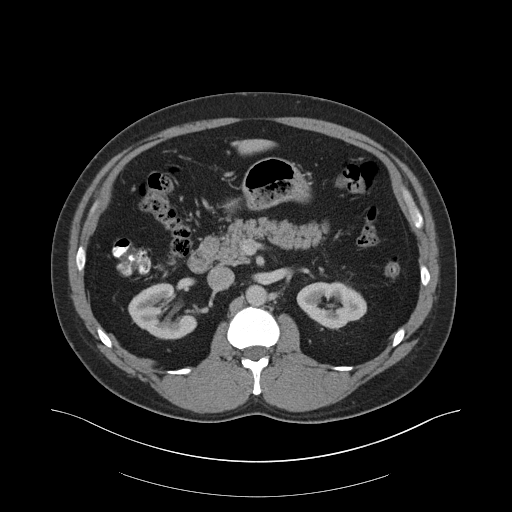
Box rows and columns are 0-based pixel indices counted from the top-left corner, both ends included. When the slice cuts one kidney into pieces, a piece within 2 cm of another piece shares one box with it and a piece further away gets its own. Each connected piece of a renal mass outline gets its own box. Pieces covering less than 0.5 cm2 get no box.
Slice 114/159 of a contrast-enhanced abdominal CT in the arterial phase, counting up from the lowest; pixel size 0.977 mm, slice thickness 3.00 mm. Two kidney boxes on this slice; by box centre, from the image's left to its right: (1) Right kidney at rows 283–339, columns 128–197 (outlined area 2,547 px, about 24.3 cm2). (2) Left kidney at rows 281–329, columns 296–366 (outlined area 2,397 px, about 22.9 cm2). This slice carries no renal mass outline.
Acquired at 140 kVp and reconstructed with the B30f kernel.